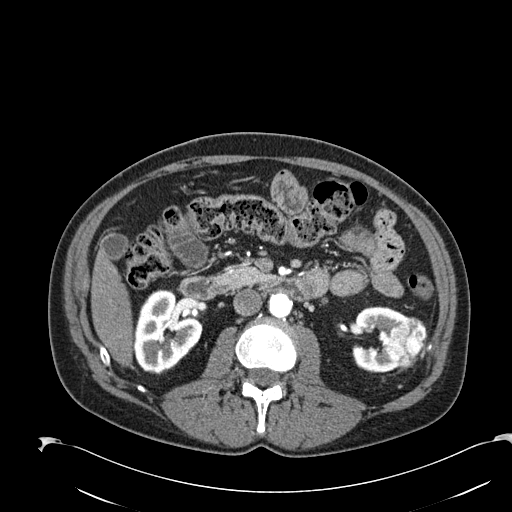
Axial slice 110 of 274 of a contrast-enhanced abdominal CT in the arterial phase (slice 1 is the lowest), 120 kVp, kernel B30f; 2.00 mm slice thickness and 0.809 mm pixels.
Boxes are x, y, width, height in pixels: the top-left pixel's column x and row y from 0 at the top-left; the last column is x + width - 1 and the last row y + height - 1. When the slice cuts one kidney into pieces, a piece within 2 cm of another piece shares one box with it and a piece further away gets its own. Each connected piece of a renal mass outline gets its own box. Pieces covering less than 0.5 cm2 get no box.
Three boxes on this slice (two kidney boxes and one renal mass box), listed by box centre from the image's left to its right. (1) Box x 135, y 291, width 68, height 84: right kidney (outlined area 3,986 px, about 26.1 cm2). (2) Left kidney, box x 352, y 306, width 60, height 67 (outlined area 2,173 px, about 14.2 cm2). (3) Left renal mass, box x 384, y 317, width 44, height 52 (outlined area 1,589 px, about 10.4 cm2).